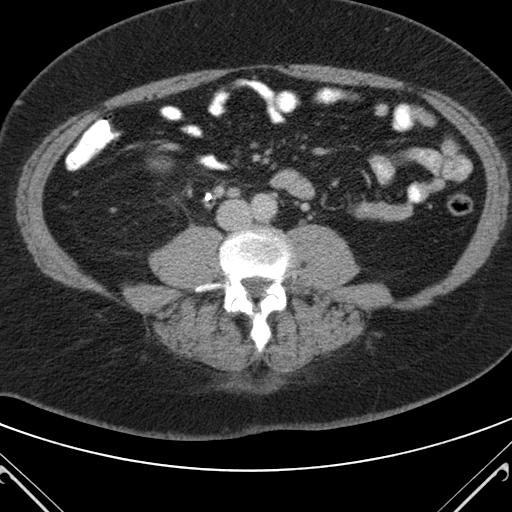
One axial slice (50 of 98, counting up from the lowest) of an arterial-phase abdominal CT acquired with 120 kVp, kernel B; each pixel is 0.703 mm and the slice is 5.00 mm thick.
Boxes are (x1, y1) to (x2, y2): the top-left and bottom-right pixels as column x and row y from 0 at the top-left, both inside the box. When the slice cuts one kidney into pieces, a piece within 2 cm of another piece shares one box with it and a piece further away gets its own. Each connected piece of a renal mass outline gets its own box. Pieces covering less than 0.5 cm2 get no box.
Box (148, 156) to (173, 172): right kidney (outlined area 303 px, about 1.5 cm2). This slice carries no renal mass outline.